Axial slice 45 of 113 of a contrast-enhanced abdominal CT (slice 1 is the lowest), 120 kVp, kernel B31f; 2.00 mm slice thickness and 0.742 mm pixels.
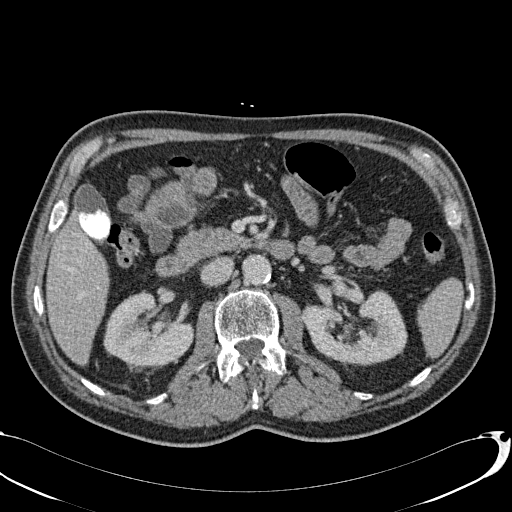
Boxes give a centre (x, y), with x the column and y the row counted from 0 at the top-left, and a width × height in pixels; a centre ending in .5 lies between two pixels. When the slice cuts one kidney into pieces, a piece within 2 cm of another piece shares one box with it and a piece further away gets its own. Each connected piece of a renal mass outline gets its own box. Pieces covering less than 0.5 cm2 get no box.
Two kidney boxes on this slice; by box centre, from the image's left to its right: (1) Box centre (148, 329), 91 × 75 pixels: right kidney (outlined area 4,931 px, about 27.2 cm2). (2) Box centre (354.5, 327.5), 106 × 78 pixels: left kidney (outlined area 5,797 px, about 31.9 cm2). No renal mass is outlined on this slice.